Arterial-phase contrast-enhanced abdominal CT, axial slice 452 of 665 (counted from the lowest slice); tube voltage 100 kVp, convolution kernel I26f; slices 1.00 mm thick, 0.828 mm per pixel.
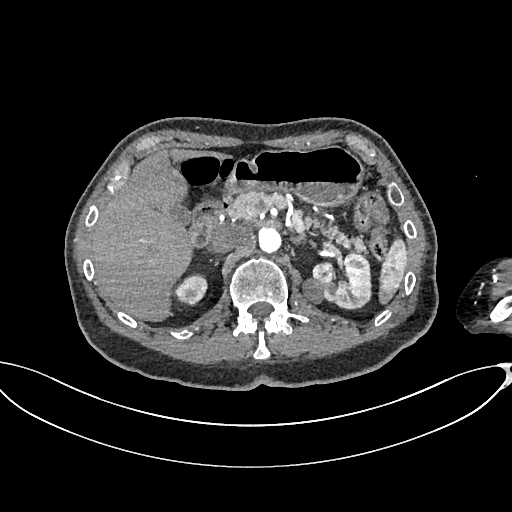
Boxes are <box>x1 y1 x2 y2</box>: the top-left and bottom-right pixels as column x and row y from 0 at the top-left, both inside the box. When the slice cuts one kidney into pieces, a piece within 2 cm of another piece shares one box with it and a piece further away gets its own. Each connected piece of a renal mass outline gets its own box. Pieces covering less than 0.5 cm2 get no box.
Three boxes on this slice (two kidney boxes and one renal mass box), listed by box centre from the image's left to its right. (1) At <box>173 273 207 305</box>: right kidney (outlined area 815 px, about 5.6 cm2). (2) Left renal mass at <box>302 277 323 303</box> (outlined area 437 px, about 3.0 cm2). (3) Left kidney at <box>312 252 371 308</box> (outlined area 2,473 px, about 17.0 cm2).